One axial slice (287 of 548, counting up from the lowest) of an arterial-phase abdominal CT acquired with 120 kVp, kernel I26f; each pixel is 0.852 mm and the slice is 1.00 mm thick.
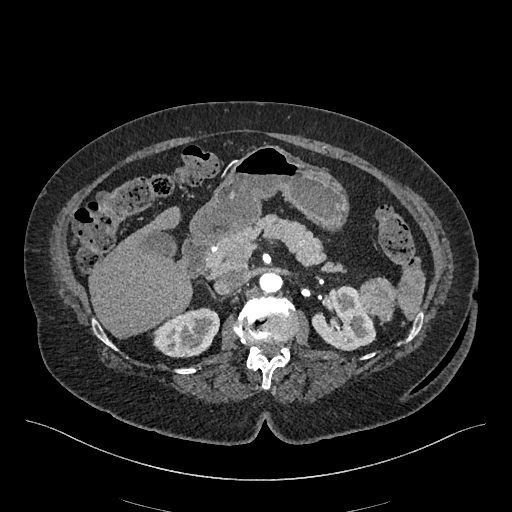
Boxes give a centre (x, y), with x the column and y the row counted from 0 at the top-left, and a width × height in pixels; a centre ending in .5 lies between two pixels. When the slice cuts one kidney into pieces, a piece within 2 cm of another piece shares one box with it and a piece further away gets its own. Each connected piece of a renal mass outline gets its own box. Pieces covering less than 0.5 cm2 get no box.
Boxed on this slice (two kidney boxes and one renal mass box), listed by box centre from the image's left to its right: (1) Right kidney in a box with centre (185.5, 332), 68 × 51 pixels (outlined area 2,511 px, about 18.2 cm2). (2) Box centre (343.5, 318), 66 × 65 pixels: left kidney (outlined area 2,858 px, about 20.7 cm2). (3) Left renal mass, box centre (376.5, 299.5), 38 × 46 pixels (outlined area 1,275 px, about 9.2 cm2).